Arterial-phase contrast-enhanced abdominal CT, axial slice 227 of 548 (counted from the lowest slice); tube voltage 120 kVp, convolution kernel I26f; slices 1.00 mm thick, 0.852 mm per pixel.
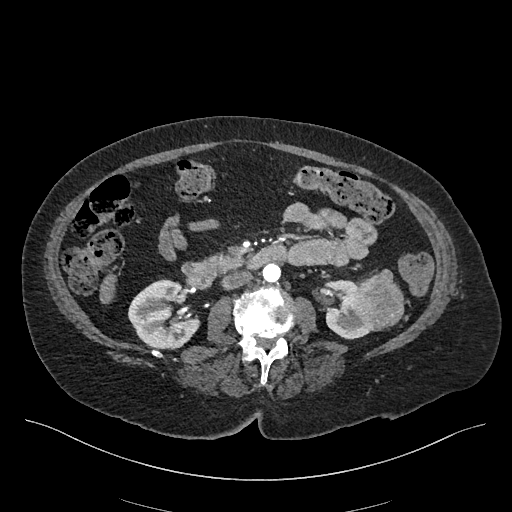
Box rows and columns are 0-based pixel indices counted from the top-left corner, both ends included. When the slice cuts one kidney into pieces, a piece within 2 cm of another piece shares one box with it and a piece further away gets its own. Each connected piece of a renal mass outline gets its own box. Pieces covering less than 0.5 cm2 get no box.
Three boxes on this slice (two kidney boxes and one renal mass box), listed by box centre from the image's left to its right. (1) Right kidney at rows 279–349, columns 128–199 (outlined area 3,598 px, about 26.1 cm2). (2) Left kidney, box rows 279–339, columns 325–380 (outlined area 1,814 px, about 13.2 cm2). (3) Box rows 269–330, columns 352–404: left renal mass (outlined area 2,320 px, about 16.8 cm2).